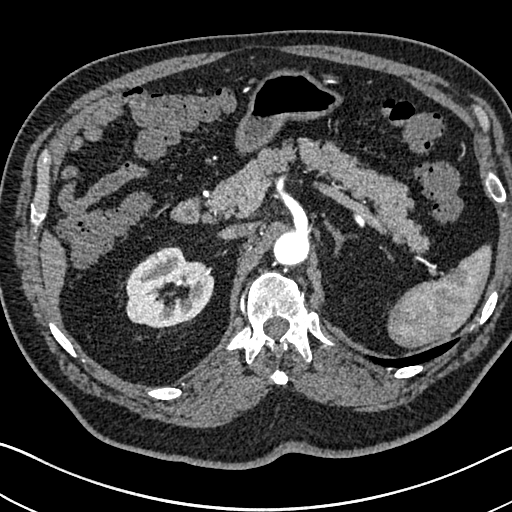
One axial slice (496 of 705, counting up from the lowest) of an arterial-phase abdominal CT acquired with 120 kVp, kernel I30f; each pixel is 0.703 mm and the slice is 1.00 mm thick.
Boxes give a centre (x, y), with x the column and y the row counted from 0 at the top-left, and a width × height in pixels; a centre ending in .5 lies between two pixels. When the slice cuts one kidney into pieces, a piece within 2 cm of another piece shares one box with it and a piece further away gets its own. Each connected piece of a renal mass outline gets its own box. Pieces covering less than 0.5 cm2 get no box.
Right kidney, box centre (169.5, 287.5), 90 × 82 pixels (outlined area 5,172 px, about 25.6 cm2). No renal mass outline on this slice.